Axial slice 50 of 143 of a contrast-enhanced abdominal CT (slice 1 is the lowest), 100 kVp, kernel I41f; 5.00 mm slice thickness and 0.734 mm pixels.
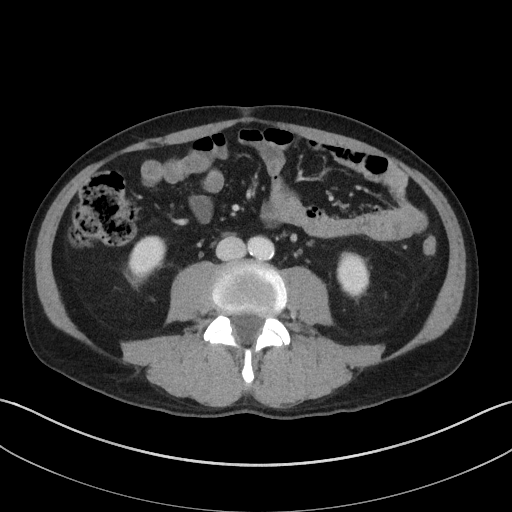
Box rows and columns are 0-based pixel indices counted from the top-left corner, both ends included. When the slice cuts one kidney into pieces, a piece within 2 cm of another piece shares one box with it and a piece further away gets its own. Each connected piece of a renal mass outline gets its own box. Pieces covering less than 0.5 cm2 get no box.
Two kidney boxes on this slice; by box centre, from the image's left to its right: (1) Right kidney, box rows 235–288, columns 124–166 (outlined area 1,459 px, about 7.9 cm2). (2) Left kidney at rows 251–301, columns 336–369 (outlined area 1,258 px, about 6.8 cm2). This slice carries no renal mass outline.